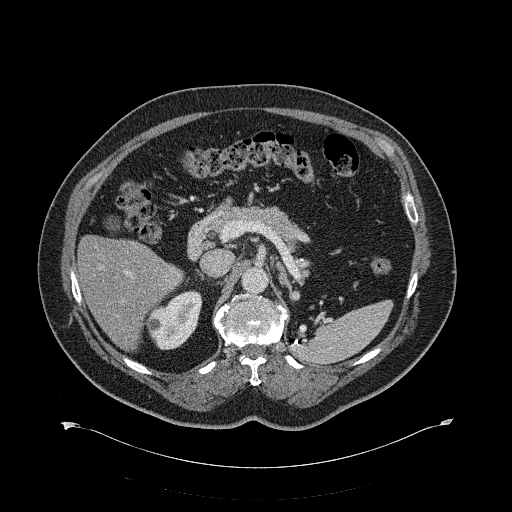
Axial slice 413 of 734 of a contrast-enhanced abdominal CT (slice 1 is the lowest), 120 kVp, kernel B31f; 2.00 mm slice thickness and 0.971 mm pixels.
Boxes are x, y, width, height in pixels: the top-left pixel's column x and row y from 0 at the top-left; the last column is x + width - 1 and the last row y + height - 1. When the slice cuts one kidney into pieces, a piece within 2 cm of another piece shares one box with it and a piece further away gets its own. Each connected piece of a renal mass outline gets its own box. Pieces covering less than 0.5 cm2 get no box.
Right kidney, box x 146, y 290, width 57, height 60 (outlined area 2,320 px, about 21.9 cm2). No renal mass outline on this slice.